Abdominal CT with intravenous contrast, arterial phase, axial plane, 100 kVp, kernel I30f. Slice 212/325 from the bottom of the scan; thickness 1.00 mm; pixel size 0.703 mm.
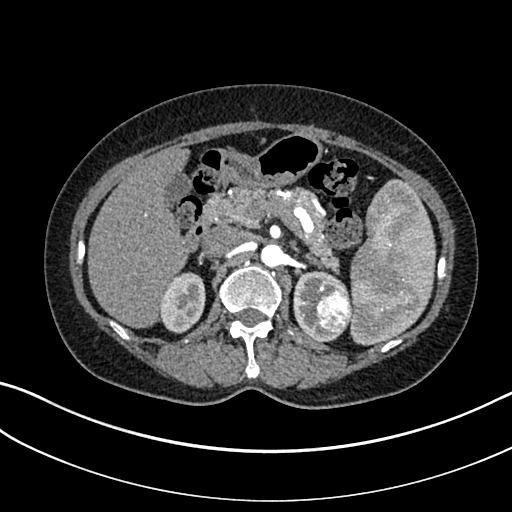
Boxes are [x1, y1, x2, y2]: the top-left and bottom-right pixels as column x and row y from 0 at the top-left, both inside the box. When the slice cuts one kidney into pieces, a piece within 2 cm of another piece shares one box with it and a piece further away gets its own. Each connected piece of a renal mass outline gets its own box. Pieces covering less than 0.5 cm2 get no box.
Two kidney boxes and one renal mass box on this slice; by box centre, from the image's left to its right: (1) Right kidney, box [159, 272, 205, 333] (outlined area 2,197 px, about 10.9 cm2). (2) Box [293, 270, 352, 342]: left kidney (outlined area 2,265 px, about 11.2 cm2). (3) Box [316, 292, 350, 331]: left renal mass (outlined area 1,104 px, about 5.5 cm2).